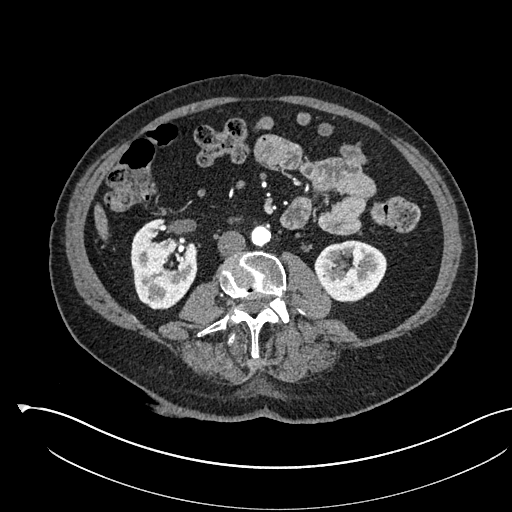
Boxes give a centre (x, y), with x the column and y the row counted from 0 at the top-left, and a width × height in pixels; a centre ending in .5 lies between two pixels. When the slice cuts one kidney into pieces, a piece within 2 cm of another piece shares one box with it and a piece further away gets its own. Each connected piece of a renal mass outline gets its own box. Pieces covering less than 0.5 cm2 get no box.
Slice 262/541 of a contrast-enhanced abdominal CT in the arterial phase, counting up from the lowest; pixel size 0.834 mm, slice thickness 1.00 mm. Two kidney boxes on this slice; by box centre, from the image's left to its right: (1) Right kidney, box centre (163.5, 263.5), 68 × 92 pixels (outlined area 4,541 px, about 31.6 cm2). (2) Left kidney in a box with centre (350.5, 271), 74 × 63 pixels (outlined area 3,430 px, about 23.9 cm2). No renal mass is outlined on this slice.
Scan settings: 120 kVp, I30f reconstruction kernel.